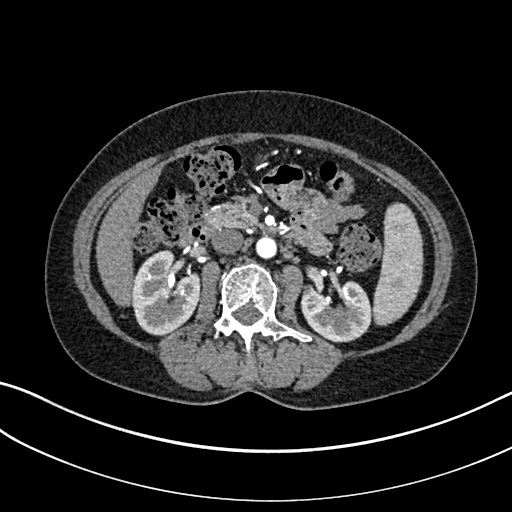
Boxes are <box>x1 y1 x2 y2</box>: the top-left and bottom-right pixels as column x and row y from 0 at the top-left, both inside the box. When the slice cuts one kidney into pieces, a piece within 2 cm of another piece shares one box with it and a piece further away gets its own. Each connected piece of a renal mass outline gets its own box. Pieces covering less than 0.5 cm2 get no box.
Slice 159/325 of a contrast-enhanced abdominal CT in the arterial phase, counting up from the lowest; pixel size 0.703 mm, slice thickness 1.00 mm. Two boxes on this slice (two kidney boxes), listed by box centre from the image's left to its right. (1) Right kidney: <box>131 249 201 336</box> (outlined area 4,403 px, about 21.8 cm2). (2) Left kidney: <box>300 280 372 342</box> (outlined area 3,398 px, about 16.8 cm2). This slice carries no renal mass outline.
Scan settings: 100 kVp, I30f reconstruction kernel.